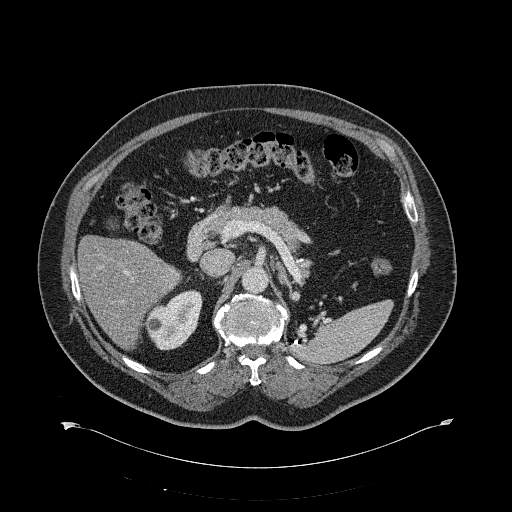
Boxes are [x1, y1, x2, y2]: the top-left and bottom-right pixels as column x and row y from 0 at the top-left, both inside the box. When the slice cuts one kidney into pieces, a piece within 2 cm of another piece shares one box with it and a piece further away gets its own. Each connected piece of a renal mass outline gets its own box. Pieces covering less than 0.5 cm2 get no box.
This is axial slice 412 of 734 (slice 1 is the lowest) of an abdominal CT with contrast; each pixel is 0.971 mm and the slice is 2.00 mm thick. Box [145, 290, 202, 350]: right kidney (outlined area 2,417 px, about 22.8 cm2). This slice carries no renal mass outline.
Tube voltage 120 kVp; convolution kernel B31f.